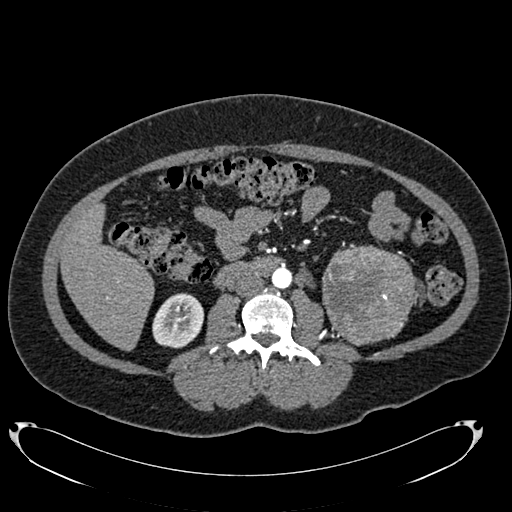
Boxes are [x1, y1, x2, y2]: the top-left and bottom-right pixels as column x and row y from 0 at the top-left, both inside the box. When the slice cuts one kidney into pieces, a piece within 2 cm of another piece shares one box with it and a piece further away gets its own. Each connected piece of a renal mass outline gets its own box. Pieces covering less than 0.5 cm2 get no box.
This is axial slice 362 of 634 (slice 1 is the lowest) of an arterial-phase abdominal CT with contrast; each pixel is 0.838 mm and the slice is 1.00 mm thick. One kidney box and one renal mass box on this slice; by box centre, from the image's left to its right: (1) Box [152, 293, 204, 348]: right kidney (outlined area 2,219 px, about 15.6 cm2). (2) Left renal mass at [322, 243, 415, 345] (outlined area 7,515 px, about 52.8 cm2); on this slice it lies more than 1 cm from any kidney outline, but the same outlined renal mass comes within 1 cm of the kidney on another slice.
Acquired at 120 kVp and reconstructed with the B20f kernel.